Abdominal CT with intravenous contrast, axial plane, 120 kVp, kernel FC12. Slice 59/87 from the bottom of the scan; thickness 5.00 mm; pixel size 0.812 mm.
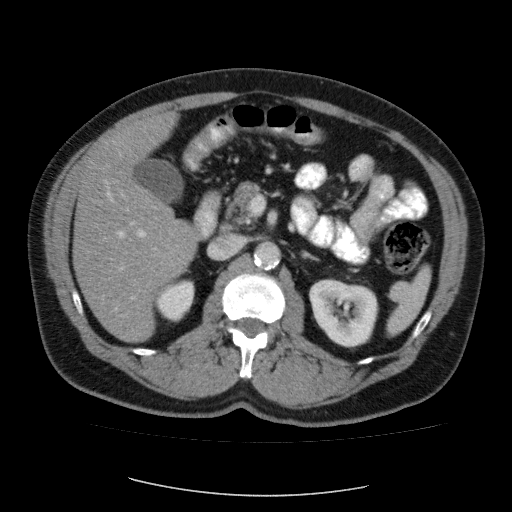
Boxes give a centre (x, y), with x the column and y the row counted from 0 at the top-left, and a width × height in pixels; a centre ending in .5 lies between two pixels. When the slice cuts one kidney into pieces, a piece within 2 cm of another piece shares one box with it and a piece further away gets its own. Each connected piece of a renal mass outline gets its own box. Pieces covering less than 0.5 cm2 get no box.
Boxed on this slice (two kidney boxes), listed by box centre from the image's left to its right: (1) Right kidney, box centre (174, 300.5), 41 × 44 pixels (outlined area 1,253 px, about 8.3 cm2). (2) Box centre (343.5, 312.5), 70 × 70 pixels: left kidney (outlined area 3,673 px, about 24.2 cm2). No renal mass is outlined on this slice.